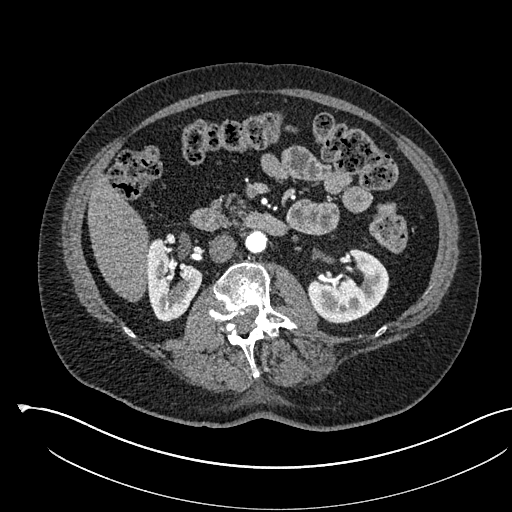
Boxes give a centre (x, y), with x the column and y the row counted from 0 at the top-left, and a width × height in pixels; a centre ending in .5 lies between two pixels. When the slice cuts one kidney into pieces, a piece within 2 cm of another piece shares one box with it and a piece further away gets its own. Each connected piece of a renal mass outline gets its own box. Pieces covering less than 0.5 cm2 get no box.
Slice 304/541 of a contrast-enhanced abdominal CT in the arterial phase, counting up from the lowest; pixel size 0.834 mm, slice thickness 1.00 mm. Two boxes on this slice (two kidney boxes), listed by box centre from the image's left to its right. (1) Right kidney, box centre (174, 279.5), 57 × 84 pixels (outlined area 3,184 px, about 22.1 cm2). (2) Box centre (348, 286), 83 × 75 pixels: left kidney (outlined area 4,029 px, about 28.0 cm2). No renal mass outline on this slice.
Acquired at 120 kVp and reconstructed with the I30f kernel.